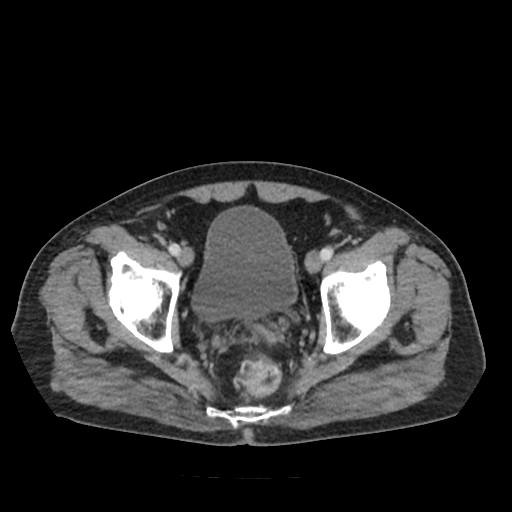
Abdominal CT with intravenous contrast, axial plane, 120 kVp, kernel FC18. Slice 21/91 from the bottom of the scan; thickness 5.00 mm; pixel size 0.766 mm.
Neither a kidney nor a renal mass is outlined here. Only kidneys and renal masses are outlined anywhere in this scan; other structures are never outlined.